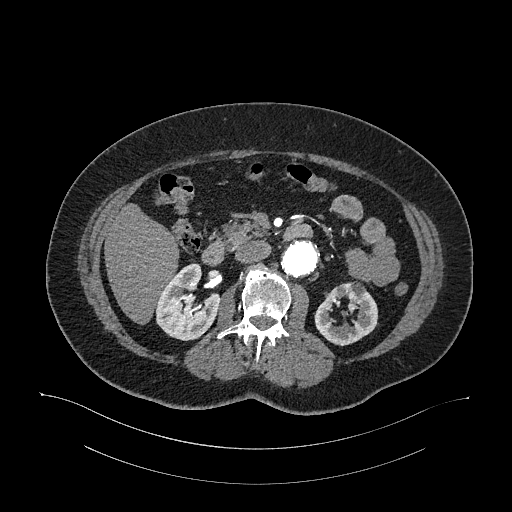
Arterial-phase contrast-enhanced abdominal CT, axial slice 647 of 987 (counted from the lowest slice); tube voltage 120 kVp, convolution kernel I26f; slices 1.00 mm thick, 0.977 mm per pixel.
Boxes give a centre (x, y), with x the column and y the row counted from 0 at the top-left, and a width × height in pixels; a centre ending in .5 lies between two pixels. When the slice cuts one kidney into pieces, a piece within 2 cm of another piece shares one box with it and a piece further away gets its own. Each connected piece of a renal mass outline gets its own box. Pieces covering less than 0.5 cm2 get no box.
Two kidney boxes on this slice; by box centre, from the image's left to its right: (1) Right kidney, box centre (187, 301.5), 65 × 78 pixels (outlined area 3,388 px, about 32.3 cm2). (2) Left kidney, box centre (346, 313.5), 65 × 66 pixels (outlined area 2,722 px, about 26.0 cm2). No renal mass outline on this slice.